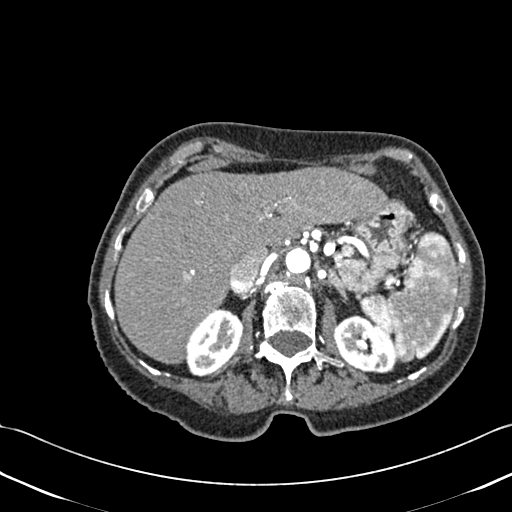
Contrast-enhanced abdominal CT, axial slice 313 of 433 (counted from the lowest slice); tube voltage 120 kVp, convolution kernel B30f; slices 1.00 mm thick, 0.672 mm per pixel.
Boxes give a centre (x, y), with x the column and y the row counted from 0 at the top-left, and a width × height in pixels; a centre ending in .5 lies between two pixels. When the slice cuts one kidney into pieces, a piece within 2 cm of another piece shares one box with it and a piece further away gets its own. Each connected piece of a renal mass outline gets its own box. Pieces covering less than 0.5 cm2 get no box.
Boxed on this slice (two kidney boxes), listed by box centre from the image's left to its right: (1) Right kidney, box centre (214.5, 342), 58 × 69 pixels (outlined area 2,773 px, about 12.5 cm2). (2) Left kidney in a box with centre (365, 344), 63 × 59 pixels (outlined area 2,731 px, about 12.3 cm2). This slice carries no renal mass outline.